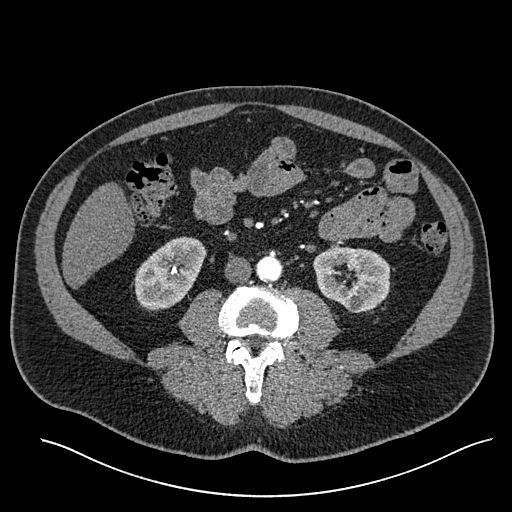
Abdominal CT with intravenous contrast, arterial phase, axial plane, 120 kVp, kernel I30f. Slice 240/527 from the bottom of the scan; thickness 1.00 mm; pixel size 0.859 mm.
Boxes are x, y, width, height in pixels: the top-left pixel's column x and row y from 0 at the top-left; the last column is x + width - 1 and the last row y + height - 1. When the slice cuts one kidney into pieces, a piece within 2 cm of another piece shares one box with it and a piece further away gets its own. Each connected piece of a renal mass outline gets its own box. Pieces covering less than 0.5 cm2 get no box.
Two kidney boxes on this slice; by box centre, from the image's left to its right: (1) Right kidney at x 134, y 236, width 73, height 75 (outlined area 3,691 px, about 27.3 cm2). (2) Left kidney at x 313, y 247, width 78, height 67 (outlined area 3,892 px, about 28.7 cm2). No renal mass is outlined on this slice.